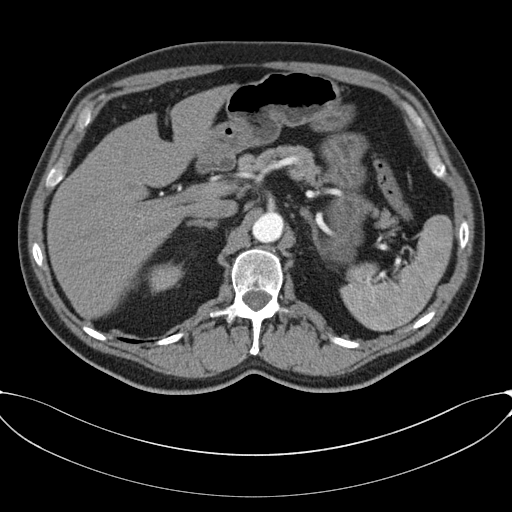
Abdominal CT with intravenous contrast, axial plane, 120 kVp, kernel B30f. Slice 50/80 from the bottom of the scan; thickness 3.00 mm; pixel size 0.822 mm.
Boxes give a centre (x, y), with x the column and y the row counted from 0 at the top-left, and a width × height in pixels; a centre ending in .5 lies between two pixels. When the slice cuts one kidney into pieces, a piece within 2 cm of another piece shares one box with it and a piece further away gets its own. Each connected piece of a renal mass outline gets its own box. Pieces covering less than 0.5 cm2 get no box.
Right kidney in a box with centre (166.5, 278), 36 × 29 pixels (outlined area 747 px, about 5.1 cm2). No renal mass is outlined on this slice.